One axial slice (317 of 634, counting up from the lowest) of an arterial-phase abdominal CT acquired with 120 kVp, kernel B20f; each pixel is 0.838 mm and the slice is 1.00 mm thick.
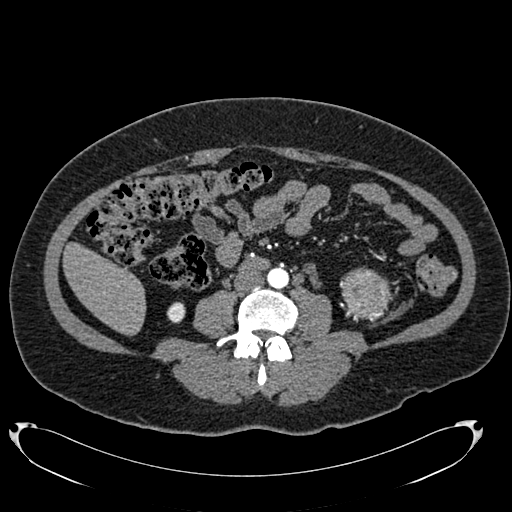
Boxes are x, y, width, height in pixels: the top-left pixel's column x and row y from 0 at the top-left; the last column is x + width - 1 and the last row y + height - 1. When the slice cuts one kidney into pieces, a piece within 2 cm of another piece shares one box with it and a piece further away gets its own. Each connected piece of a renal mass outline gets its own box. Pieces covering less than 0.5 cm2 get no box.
Boxed on this slice (one kidney box and one renal mass box), listed by box centre from the image's left to its right: (1) Box x 167, y 302, width 19, height 22: right kidney (outlined area 317 px, about 2.2 cm2). (2) Left renal mass, box x 340, y 267, width 52, height 51 (outlined area 1,995 px, about 14.0 cm2); on this slice it lies more than 1 cm from any kidney outline, but the same outlined renal mass comes within 1 cm of the kidney on another slice.